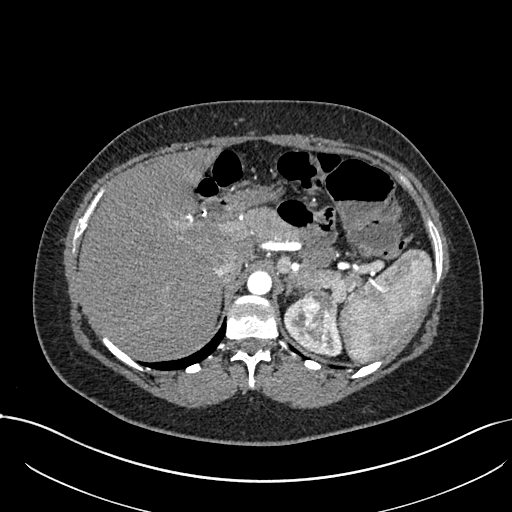
Abdominal CT with intravenous contrast, arterial phase, axial plane, 120 kVp, kernel I30f. Slice 549/738 from the bottom of the scan; thickness 1.00 mm; pixel size 0.789 mm.
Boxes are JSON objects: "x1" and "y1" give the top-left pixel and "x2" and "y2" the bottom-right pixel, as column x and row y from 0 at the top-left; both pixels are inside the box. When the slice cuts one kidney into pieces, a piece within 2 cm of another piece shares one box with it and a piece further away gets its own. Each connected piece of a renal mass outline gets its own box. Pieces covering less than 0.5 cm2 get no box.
Boxed on this slice (one kidney box and one renal mass box), listed by box centre from the image's left to its right: (1) Box {"x1": 284, "y1": 298, "x2": 341, "y2": 356}: left kidney (outlined area 1,293 px, about 8.1 cm2). (2) Box {"x1": 300, "y1": 289, "x2": 336, "y2": 343}: left renal mass (outlined area 1,571 px, about 9.8 cm2).